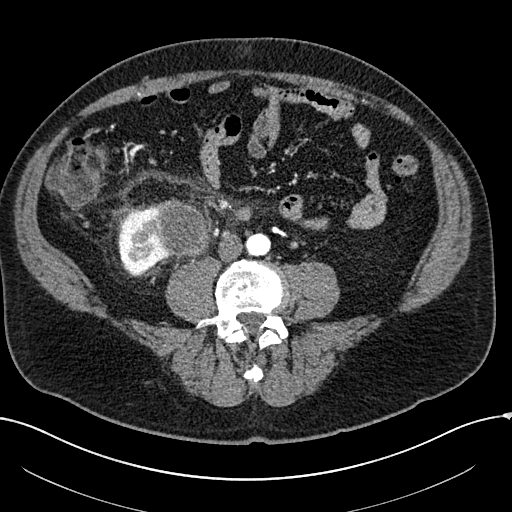
One axial slice (38 of 304, counting up from the lowest) of an arterial-phase abdominal CT acquired with 100 kVp, kernel I30f; each pixel is 0.809 mm and the slice is 2.00 mm thick.
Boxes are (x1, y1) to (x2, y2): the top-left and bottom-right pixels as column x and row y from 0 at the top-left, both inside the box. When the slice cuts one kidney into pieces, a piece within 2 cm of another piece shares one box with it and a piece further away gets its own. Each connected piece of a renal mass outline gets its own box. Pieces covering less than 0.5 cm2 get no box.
One kidney box and one renal mass box on this slice; by box centre, from the image's left to its right: (1) Right kidney, box (118, 205) to (173, 277) (outlined area 2,468 px, about 16.1 cm2). (2) Box (154, 199) to (210, 256): right renal mass (outlined area 2,589 px, about 16.9 cm2).